Abdominal CT with intravenous contrast, arterial phase, axial plane, 120 kVp, kernel B30f. Slice 453/723 from the bottom of the scan; thickness 1.00 mm; pixel size 0.895 mm.
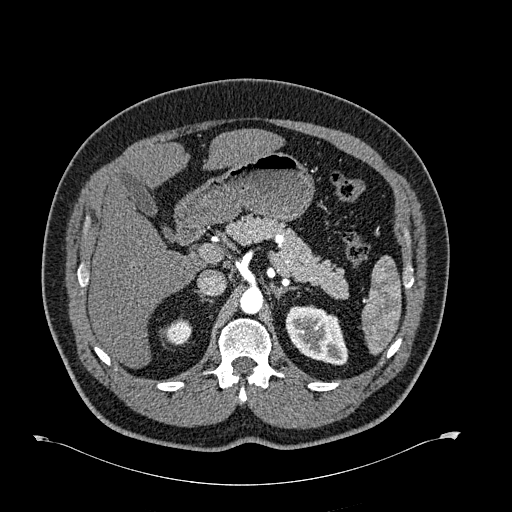
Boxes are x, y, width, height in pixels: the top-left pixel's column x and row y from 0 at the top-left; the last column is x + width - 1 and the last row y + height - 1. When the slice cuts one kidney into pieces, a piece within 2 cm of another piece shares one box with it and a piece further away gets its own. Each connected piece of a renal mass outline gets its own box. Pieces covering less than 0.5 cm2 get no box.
Boxed on this slice (two kidney boxes), listed by box centre from the image's left to its right: (1) Right kidney at x 164, y 319, width 28, height 26 (outlined area 525 px, about 4.2 cm2). (2) Left kidney at x 285, y 305, width 64, height 61 (outlined area 2,758 px, about 22.1 cm2). No renal mass outline on this slice.